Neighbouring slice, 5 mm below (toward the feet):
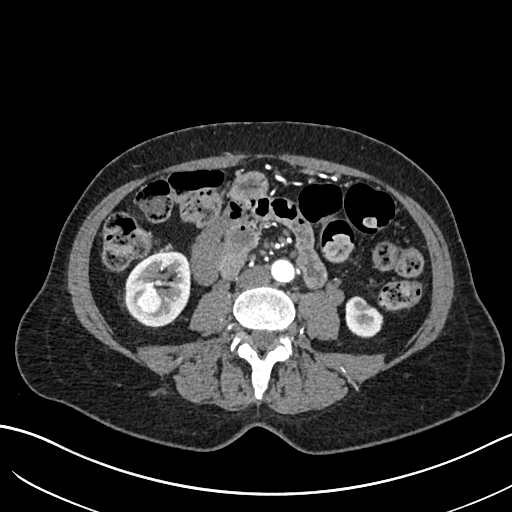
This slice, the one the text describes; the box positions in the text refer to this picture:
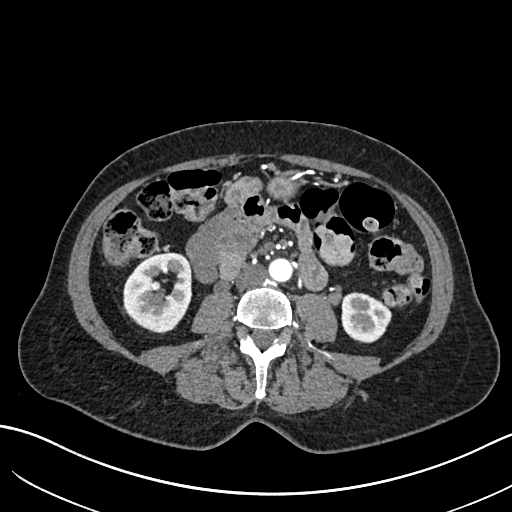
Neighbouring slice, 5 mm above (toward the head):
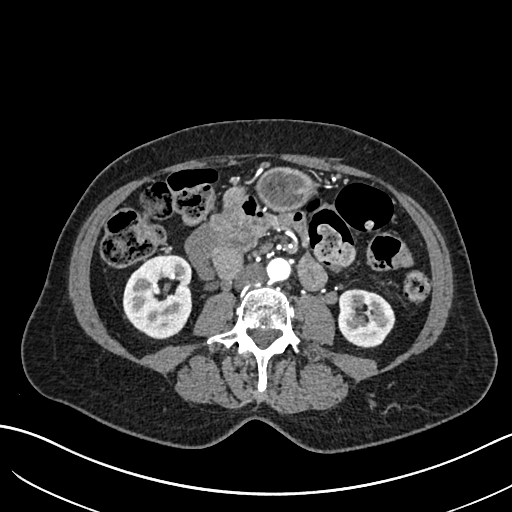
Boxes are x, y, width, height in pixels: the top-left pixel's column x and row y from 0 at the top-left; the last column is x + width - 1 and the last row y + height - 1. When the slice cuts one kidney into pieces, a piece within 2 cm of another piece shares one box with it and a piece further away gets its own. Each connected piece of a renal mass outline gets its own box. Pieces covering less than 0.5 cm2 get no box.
Arterial-phase contrast-enhanced abdominal CT, axial slice 301 of 683 (counted from the lowest slice); 1.00 mm thick, 0.738 mm per pixel. Boxed on this slice (two kidney boxes and one renal mass box), listed by box centre from the image's left to its right: (1) Right renal mass at x 149, y 293, width 15, height 13 (outlined area 159 px, about 0.9 cm2). (2) Box x 123, y 252, width 69, height 82: right kidney (outlined area 4,063 px, about 22.1 cm2). (3) Left kidney, box x 342, y 292, width 50, height 52 (outlined area 1,971 px, about 10.7 cm2). This slice lies near the end of the right renal mass toward the head; the slices 5 mm below and 5 mm above it are shown too, and the boxes mark positions on this slice only.
Tube voltage 120 kVp; convolution kernel I30f.